Axial slice 72 of 102 of a contrast-enhanced abdominal CT in the arterial phase (slice 1 is the lowest), 100 kVp, kernel I40f; 5.00 mm slice thickness and 0.781 mm pixels.
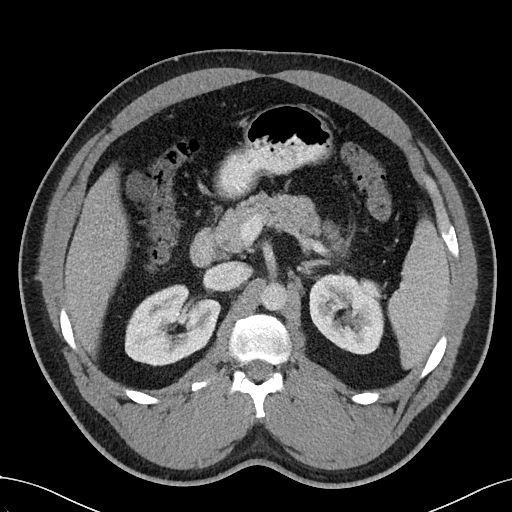
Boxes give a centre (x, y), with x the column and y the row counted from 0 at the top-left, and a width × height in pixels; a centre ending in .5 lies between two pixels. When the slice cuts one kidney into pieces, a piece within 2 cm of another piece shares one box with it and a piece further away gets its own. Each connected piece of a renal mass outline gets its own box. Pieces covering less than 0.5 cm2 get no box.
Two boxes on this slice (two kidney boxes), listed by box centre from the image's left to its right. (1) Right kidney in a box with centre (172.5, 325), 98 × 83 pixels (outlined area 5,628 px, about 34.4 cm2). (2) Left kidney in a box with centre (346.5, 313), 76 × 83 pixels (outlined area 4,843 px, about 29.6 cm2). No renal mass outline on this slice.